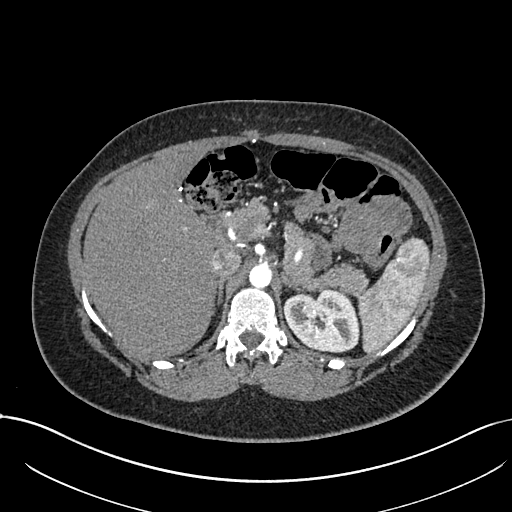
One axial slice (518 of 738, counting up from the lowest) of an arterial-phase abdominal CT acquired with 120 kVp, kernel I30f; each pixel is 0.789 mm and the slice is 1.00 mm thick.
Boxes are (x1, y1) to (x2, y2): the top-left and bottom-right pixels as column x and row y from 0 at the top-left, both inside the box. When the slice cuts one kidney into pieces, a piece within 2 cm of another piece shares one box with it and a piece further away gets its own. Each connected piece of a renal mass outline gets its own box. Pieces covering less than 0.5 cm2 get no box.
Left kidney from (283, 289) to (359, 352) (outlined area 3,718 px, about 23.1 cm2).